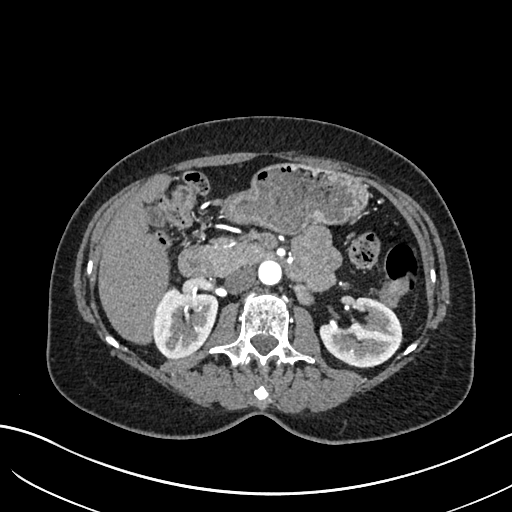
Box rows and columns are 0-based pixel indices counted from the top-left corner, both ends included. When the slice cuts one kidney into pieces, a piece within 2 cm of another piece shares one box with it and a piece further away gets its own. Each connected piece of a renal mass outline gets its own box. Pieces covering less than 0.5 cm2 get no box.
Arterial-phase contrast-enhanced abdominal CT, axial slice 380 of 683 (counted from the lowest slice); 1.00 mm thick, 0.738 mm per pixel. Two kidney boxes on this slice; by box centre, from the image's left to its right: (1) Right kidney at rows 286–359, columns 153–218 (outlined area 3,684 px, about 20.1 cm2). (2) Left kidney, box rows 297–368, columns 319–402 (outlined area 4,016 px, about 21.9 cm2). No renal mass outline on this slice.
Scan settings: 120 kVp, I30f reconstruction kernel.